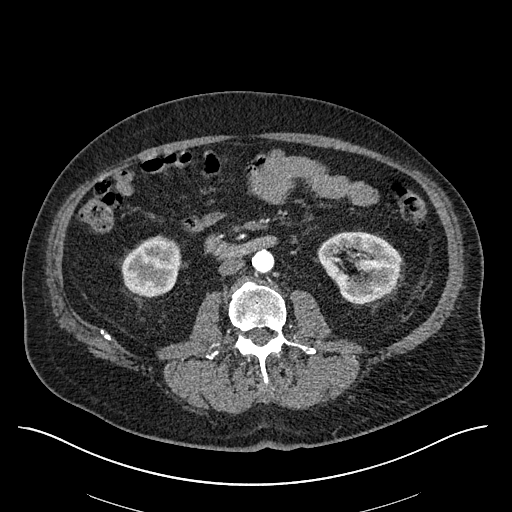
One axial slice (275 of 670, counting up from the lowest) of an arterial-phase abdominal CT acquired with 120 kVp, kernel I30f; each pixel is 0.861 mm and the slice is 1.00 mm thick.
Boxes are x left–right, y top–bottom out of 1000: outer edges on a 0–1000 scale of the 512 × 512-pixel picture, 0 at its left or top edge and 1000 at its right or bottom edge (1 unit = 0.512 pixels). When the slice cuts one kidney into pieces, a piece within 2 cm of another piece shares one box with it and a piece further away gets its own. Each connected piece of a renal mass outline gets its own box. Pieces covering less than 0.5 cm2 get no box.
Two kidney boxes on this slice; by box centre, from the image's left to its right: (1) Box x 236–352, y 459–582 out of 1000: right kidney (outlined area 2,860 px, about 21.2 cm2). (2) Box x 619–785, y 451–594 out of 1000: left kidney (outlined area 4,322 px, about 32.1 cm2). No renal mass outline on this slice.